Arterial-phase contrast-enhanced abdominal CT, axial slice 515 of 591 (counted from the lowest slice); tube voltage 140 kVp, convolution kernel I30f; slices 1.00 mm thick, 0.703 mm per pixel.
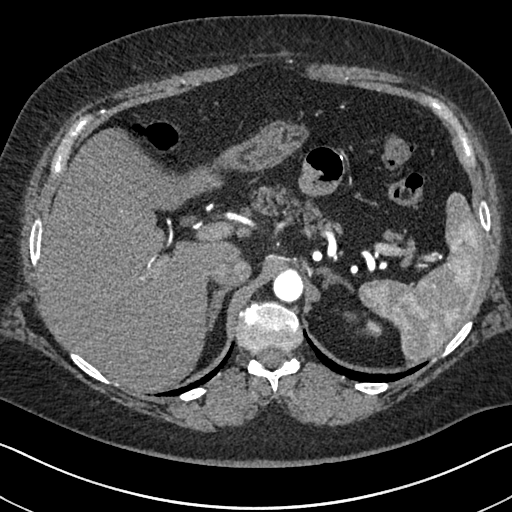
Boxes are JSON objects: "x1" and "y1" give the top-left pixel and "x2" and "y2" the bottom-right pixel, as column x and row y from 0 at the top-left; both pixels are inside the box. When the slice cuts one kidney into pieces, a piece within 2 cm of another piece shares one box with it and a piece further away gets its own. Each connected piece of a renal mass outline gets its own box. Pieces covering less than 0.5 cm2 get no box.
Left kidney at {"x1": 368, "y1": 321, "x2": 381, "y2": 333} (outlined area 149 px, about 0.7 cm2). No renal mass outline on this slice.